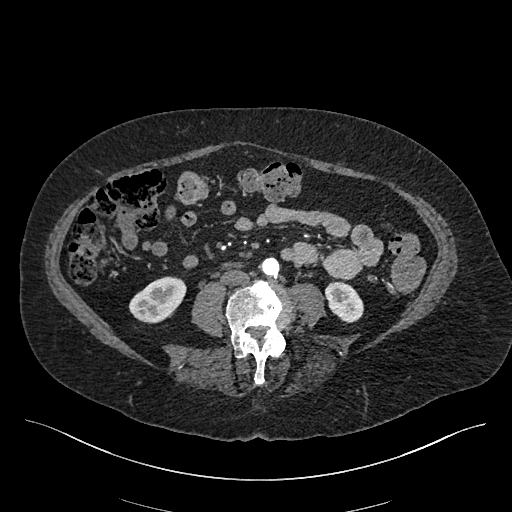
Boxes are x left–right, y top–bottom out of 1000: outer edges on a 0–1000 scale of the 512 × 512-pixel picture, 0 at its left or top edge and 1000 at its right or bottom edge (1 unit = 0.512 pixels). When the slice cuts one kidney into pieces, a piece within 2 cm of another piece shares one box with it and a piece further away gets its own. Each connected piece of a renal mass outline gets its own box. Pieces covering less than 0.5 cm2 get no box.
Arterial-phase contrast-enhanced abdominal CT, axial slice 164 of 548 (counted from the lowest slice); 1.00 mm thick, 0.852 mm per pixel. Boxed on this slice (two kidney boxes), listed by box centre from the image's left to its right: (1) Box x 252–365, y 539–633 out of 1000: right kidney (outlined area 1,898 px, about 13.8 cm2). (2) Box x 635–711, y 549–631 out of 1000: left kidney (outlined area 1,192 px, about 8.6 cm2). No renal mass is outlined on this slice.
Scan settings: 120 kVp, I26f reconstruction kernel.